Arterial-phase contrast-enhanced abdominal CT, axial slice 514 of 705 (counted from the lowest slice); tube voltage 120 kVp, convolution kernel I30f; slices 1.00 mm thick, 0.703 mm per pixel.
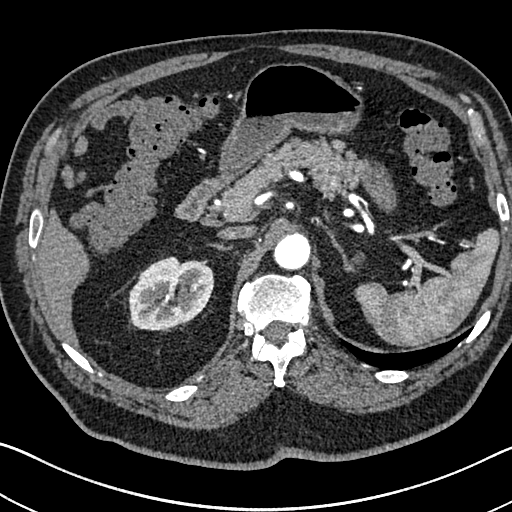
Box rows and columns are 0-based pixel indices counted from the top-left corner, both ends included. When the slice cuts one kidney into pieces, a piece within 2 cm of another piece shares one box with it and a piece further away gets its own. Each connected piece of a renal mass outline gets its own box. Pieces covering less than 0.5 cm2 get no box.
Right kidney at rows 256–330, columns 128–214 (outlined area 4,853 px, about 24.0 cm2). This slice carries no renal mass outline.